Arterial-phase contrast-enhanced abdominal CT, axial slice 324 of 723 (counted from the lowest slice); tube voltage 120 kVp, convolution kernel B30f; slices 1.00 mm thick, 0.895 mm per pixel.
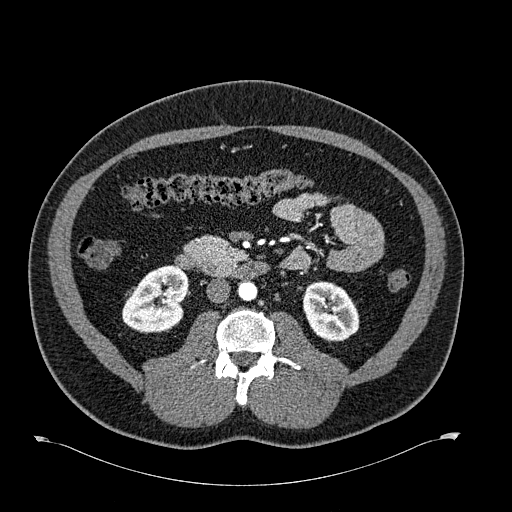
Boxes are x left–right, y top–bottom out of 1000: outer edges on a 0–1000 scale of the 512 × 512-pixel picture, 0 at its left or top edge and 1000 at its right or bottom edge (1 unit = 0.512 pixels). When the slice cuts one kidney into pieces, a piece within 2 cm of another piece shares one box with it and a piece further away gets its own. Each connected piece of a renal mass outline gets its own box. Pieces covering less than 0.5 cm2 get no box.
Two boxes on this slice (two kidney boxes), listed by box centre from the image's left to its right. (1) Right kidney, box x 238–367, y 518–652 out of 1000 (outlined area 3,359 px, about 26.9 cm2). (2) Left kidney, box x 590–703, y 549–670 out of 1000 (outlined area 2,662 px, about 21.3 cm2).